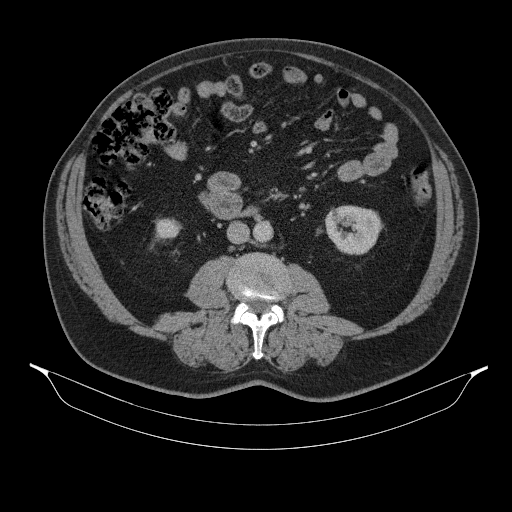
Abdominal CT with intravenous contrast, axial plane, 130 kVp, kernel B31s. Slice 173/314 from the bottom of the scan; thickness 2.50 mm; pixel size 0.934 mm.
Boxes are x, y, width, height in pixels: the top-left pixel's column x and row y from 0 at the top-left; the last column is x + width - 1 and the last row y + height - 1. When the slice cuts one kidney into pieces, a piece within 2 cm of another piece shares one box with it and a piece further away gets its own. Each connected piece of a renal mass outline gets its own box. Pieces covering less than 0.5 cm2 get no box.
Boxed on this slice (two kidney boxes), listed by box centre from the image's left to its right: (1) Box x 155, y 218, width 26, height 24: right kidney (outlined area 487 px, about 4.2 cm2). (2) Left kidney, box x 325, y 205, width 59, height 50 (outlined area 2,234 px, about 19.5 cm2). No renal mass is outlined on this slice.